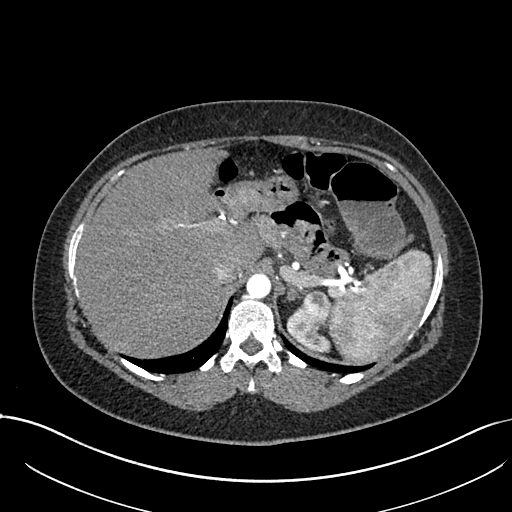
One axial slice (565 of 738, counting up from the lowest) of an arterial-phase abdominal CT acquired with 120 kVp, kernel I30f; each pixel is 0.789 mm and the slice is 1.00 mm thick.
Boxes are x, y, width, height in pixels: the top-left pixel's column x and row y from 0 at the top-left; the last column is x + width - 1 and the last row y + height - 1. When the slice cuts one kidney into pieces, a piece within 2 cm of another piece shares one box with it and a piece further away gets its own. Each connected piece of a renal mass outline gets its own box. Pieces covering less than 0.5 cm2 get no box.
Boxed on this slice (one kidney box and one renal mass box), listed by box centre from the image's left to its right: (1) Left kidney, box x 286, y 313, width 45, height 41 (outlined area 742 px, about 4.6 cm2). (2) Left renal mass, box x 294, y 290, width 36, height 45 (outlined area 1,133 px, about 7.1 cm2).